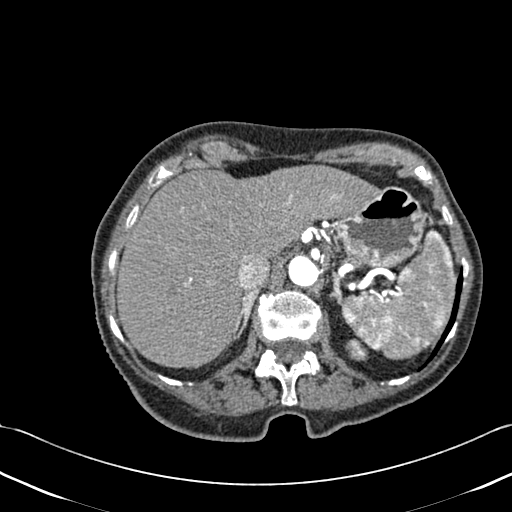
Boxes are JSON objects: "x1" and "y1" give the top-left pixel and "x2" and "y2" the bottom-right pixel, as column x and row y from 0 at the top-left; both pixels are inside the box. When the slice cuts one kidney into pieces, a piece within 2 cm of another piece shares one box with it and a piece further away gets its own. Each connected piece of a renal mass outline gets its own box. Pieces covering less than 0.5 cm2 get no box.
This is axial slice 345 of 433 (slice 1 is the lowest) of an abdominal CT with contrast; each pixel is 0.672 mm and the slice is 1.00 mm thick. Box {"x1": 345, "y1": 338, "x2": 368, "y2": 360}: left kidney (outlined area 389 px, about 1.8 cm2). No renal mass outline on this slice.
Scan settings: 120 kVp, B30f reconstruction kernel.